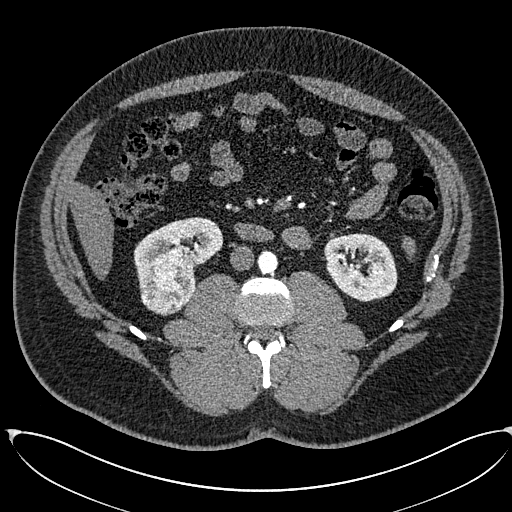
Arterial-phase contrast-enhanced abdominal CT, axial slice 295 of 673 (counted from the lowest slice); tube voltage 120 kVp, convolution kernel I30f; slices 1.00 mm thick, 0.855 mm per pixel.
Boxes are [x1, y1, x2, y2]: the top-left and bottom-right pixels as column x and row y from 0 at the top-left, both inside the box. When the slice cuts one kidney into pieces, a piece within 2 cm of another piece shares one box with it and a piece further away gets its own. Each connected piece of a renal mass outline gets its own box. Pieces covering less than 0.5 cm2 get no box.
Two kidney boxes and one renal mass box on this slice; by box centre, from the image's left to its right: (1) Right renal mass, box [139, 247, 195, 314] (outlined area 2,787 px, about 20.4 cm2). (2) Right kidney, box [134, 217, 223, 287] (outlined area 3,055 px, about 22.4 cm2). (3) Left kidney, box [324, 233, 397, 301] (outlined area 3,898 px, about 28.5 cm2).